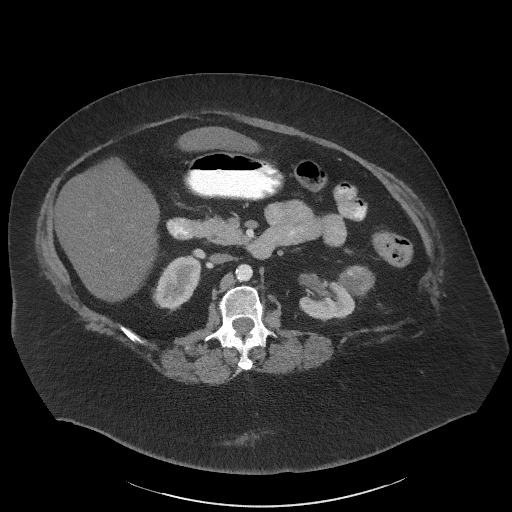
Axial slice 34 of 61 of a contrast-enhanced abdominal CT in the arterial phase (slice 1 is the lowest), 140 kVp, kernel I41f; 3.00 mm slice thickness and 0.947 mm pixels.
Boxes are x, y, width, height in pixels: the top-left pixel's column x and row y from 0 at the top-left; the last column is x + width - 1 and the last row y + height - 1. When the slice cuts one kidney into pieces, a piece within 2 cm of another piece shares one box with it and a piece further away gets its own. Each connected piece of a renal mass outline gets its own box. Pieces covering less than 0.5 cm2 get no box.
Boxed on this slice (two kidney boxes and one renal mass box), listed by box centre from the image's left to its right: (1) Right kidney, box x 152, y 256, width 50, height 54 (outlined area 1,900 px, about 17.0 cm2). (2) Left kidney at x 299, y 280, width 57, height 41 (outlined area 1,586 px, about 14.2 cm2). (3) Box x 337, y 265, width 36, height 32: left renal mass (outlined area 804 px, about 7.2 cm2).